Axial slice 64 of 99 of a contrast-enhanced abdominal CT in the arterial phase (slice 1 is the lowest), 120 kVp, kernel B30f; 5.00 mm slice thickness and 0.693 mm pixels.
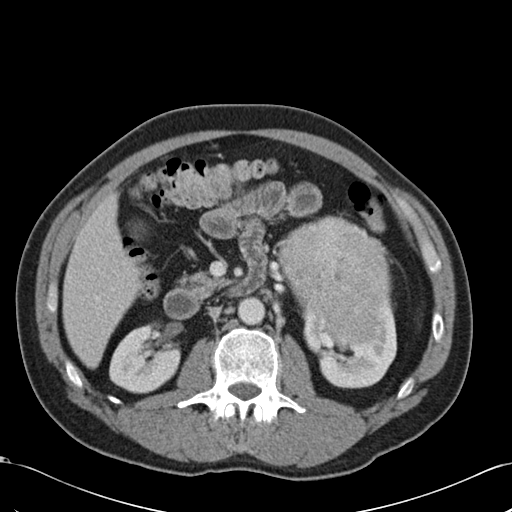
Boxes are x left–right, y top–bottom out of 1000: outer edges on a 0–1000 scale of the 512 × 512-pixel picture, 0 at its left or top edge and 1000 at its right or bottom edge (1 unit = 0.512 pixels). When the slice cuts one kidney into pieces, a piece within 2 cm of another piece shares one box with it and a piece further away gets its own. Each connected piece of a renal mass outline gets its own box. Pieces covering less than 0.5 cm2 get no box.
Two kidney boxes and one renal mass box on this slice; by box centre, from the image's left to its right: (1) Right kidney, box x 213–355, y 635–770 out of 1000 (outlined area 3,572 px, about 17.2 cm2). (2) Left renal mass, box x 543–768, y 420–680 out of 1000 (outlined area 10,996 px, about 52.9 cm2). (3) Left kidney, box x 588–775, y 594–760 out of 1000 (outlined area 3,949 px, about 19.0 cm2).